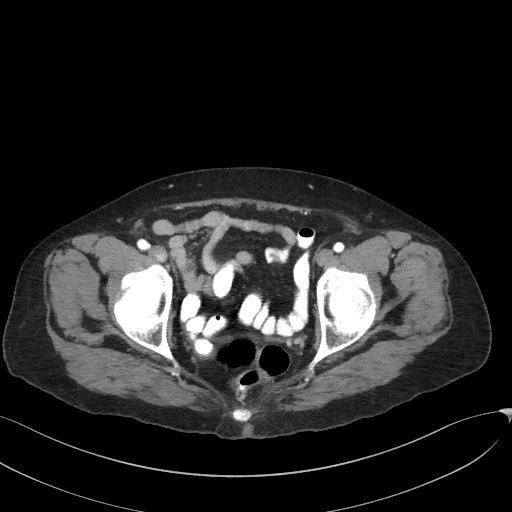
Slice 29/129 of a contrast-enhanced abdominal CT in the arterial phase, counting up from the lowest; pixel size 0.779 mm, slice thickness 3.00 mm. Outside the outlined region: no kidney outline and no renal mass outline on this slice. The scan's outlines cover only kidneys and renal masses; no other organ is outlined.
Scan settings: 100 kVp, I41f reconstruction kernel.